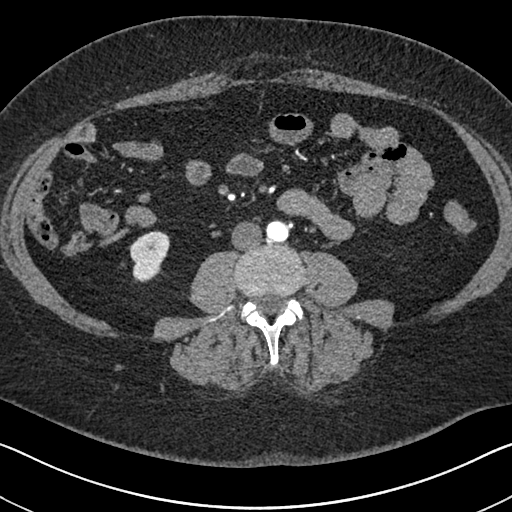
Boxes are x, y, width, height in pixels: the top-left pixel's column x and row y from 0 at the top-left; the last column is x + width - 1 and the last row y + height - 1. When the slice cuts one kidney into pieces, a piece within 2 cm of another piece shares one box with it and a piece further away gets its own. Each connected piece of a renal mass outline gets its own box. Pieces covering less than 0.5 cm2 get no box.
Slice 282/591 of a contrast-enhanced abdominal CT in the arterial phase, counting up from the lowest; pixel size 0.703 mm, slice thickness 1.00 mm. Right kidney at x 130, y 230, width 40, height 53 (outlined area 1,529 px, about 7.6 cm2). This slice carries no renal mass outline.
Tube voltage 140 kVp; convolution kernel I30f.